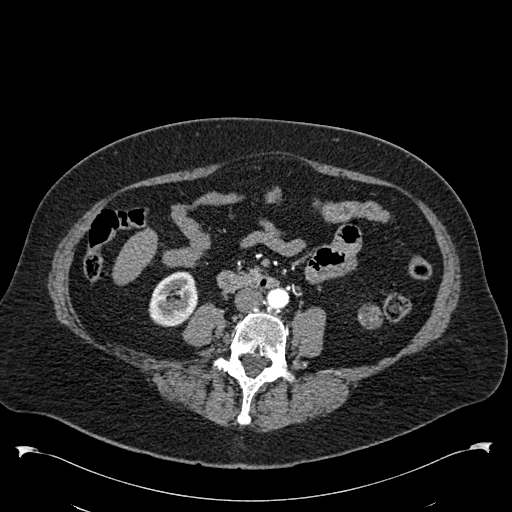
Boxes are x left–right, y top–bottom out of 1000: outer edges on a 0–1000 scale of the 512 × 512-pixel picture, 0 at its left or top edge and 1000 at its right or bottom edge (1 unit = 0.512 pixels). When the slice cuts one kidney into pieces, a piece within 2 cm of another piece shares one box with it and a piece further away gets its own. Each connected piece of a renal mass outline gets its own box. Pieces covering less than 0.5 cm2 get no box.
Slice 221/538 of a contrast-enhanced abdominal CT in the arterial phase, counting up from the lowest; pixel size 0.811 mm, slice thickness 1.00 mm. Two boxes on this slice (one kidney box and one renal mass box), listed by box centre from the image's left to its right. (1) Right kidney at x 289–387, y 529–639 out of 1000 (outlined area 2,115 px, about 13.9 cm2). (2) Box x 699–748, y 594–645 out of 1000: left renal mass (outlined area 498 px, about 3.3 cm2); on this slice it lies more than 1 cm from any kidney outline, but the same outlined renal mass comes within 1 cm of the kidney on another slice.
Scan settings: 120 kVp, B30f reconstruction kernel.